Arterial-phase contrast-enhanced abdominal CT, axial slice 103 of 129 (counted from the lowest slice); tube voltage 100 kVp, convolution kernel I41f; slices 3.00 mm thick, 0.779 mm per pixel.
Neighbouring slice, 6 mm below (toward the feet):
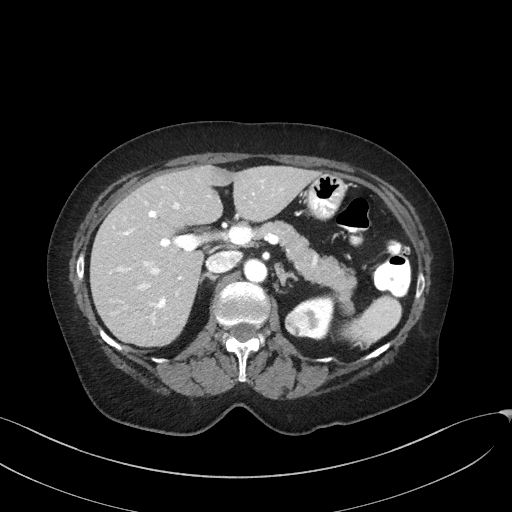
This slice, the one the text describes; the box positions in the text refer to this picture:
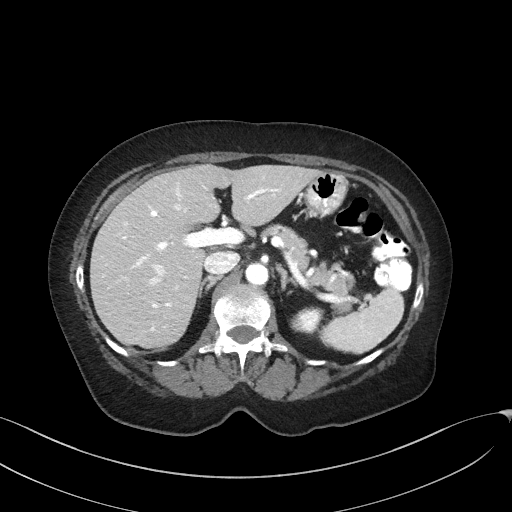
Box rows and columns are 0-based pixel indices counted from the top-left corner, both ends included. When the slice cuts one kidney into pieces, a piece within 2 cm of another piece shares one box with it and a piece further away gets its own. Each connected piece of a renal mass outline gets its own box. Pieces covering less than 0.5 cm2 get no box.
Two boxes on this slice (one kidney box and one renal mass box), listed by box centre from the image's left to its right. (1) Box rows 315–333, columns 290–305: left renal mass (outlined area 192 px, about 1.2 cm2). (2) Left kidney, box rows 306–334, columns 296–324 (outlined area 478 px, about 2.9 cm2). This slice is near the end of the left renal mass toward the head, so the slice 6 mm below it is shown as well; the boxes refer to this slice only.